Abdominal CT with intravenous contrast, arterial phase, axial plane, 120 kVp, kernel B31f. Slice 88/326 from the bottom of the scan; thickness 2.00 mm; pixel size 0.963 mm.
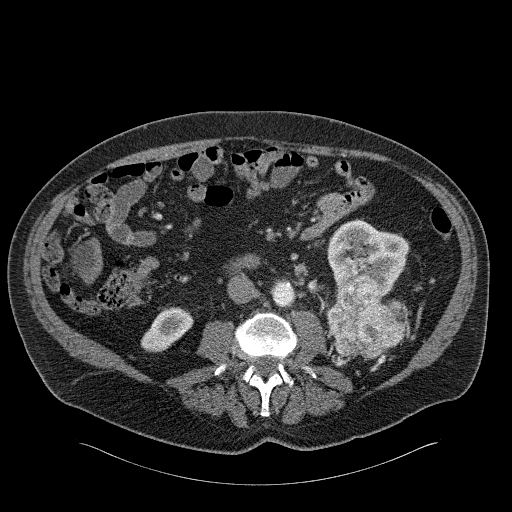
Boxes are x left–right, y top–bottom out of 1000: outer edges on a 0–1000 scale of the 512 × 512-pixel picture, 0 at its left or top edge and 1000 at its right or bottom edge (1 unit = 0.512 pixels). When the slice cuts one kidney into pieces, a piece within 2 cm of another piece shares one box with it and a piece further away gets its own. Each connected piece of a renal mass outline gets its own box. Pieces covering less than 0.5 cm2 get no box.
Two kidney boxes and one renal mass box on this slice; by box centre, from the image's left to its right: (1) Right kidney at x 275–379, y 600–689 out of 1000 (outlined area 1,513 px, about 14.0 cm2). (2) Left renal mass, box x 637–793, y 537–701 out of 1000 (outlined area 4,746 px, about 44.0 cm2). (3) Left kidney, box x 639–801, y 430–582 out of 1000 (outlined area 4,205 px, about 39.0 cm2).